Arterial-phase contrast-enhanced abdominal CT, axial slice 438 of 553 (counted from the lowest slice); tube voltage 120 kVp, convolution kernel B20f; slices 1.00 mm thick, 0.773 mm per pixel.
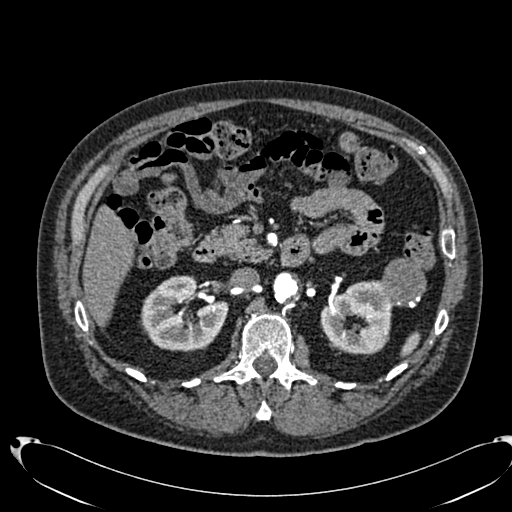
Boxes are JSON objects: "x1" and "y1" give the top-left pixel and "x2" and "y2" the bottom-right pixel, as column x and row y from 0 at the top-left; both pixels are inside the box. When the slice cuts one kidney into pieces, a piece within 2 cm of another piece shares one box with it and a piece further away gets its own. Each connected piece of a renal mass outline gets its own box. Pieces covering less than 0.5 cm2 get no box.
Two kidney boxes and one renal mass box on this slice; by box centre, from the image's left to its right: (1) Right kidney at {"x1": 140, "y1": 275, "x2": 228, "y2": 351} (outlined area 4,838 px, about 28.9 cm2). (2) Left kidney, box {"x1": 320, "y1": 280, "x2": 393, "y2": 354} (outlined area 3,855 px, about 23.1 cm2). (3) Left renal mass at {"x1": 380, "y1": 258, "x2": 426, "y2": 308} (outlined area 1,820 px, about 10.9 cm2).